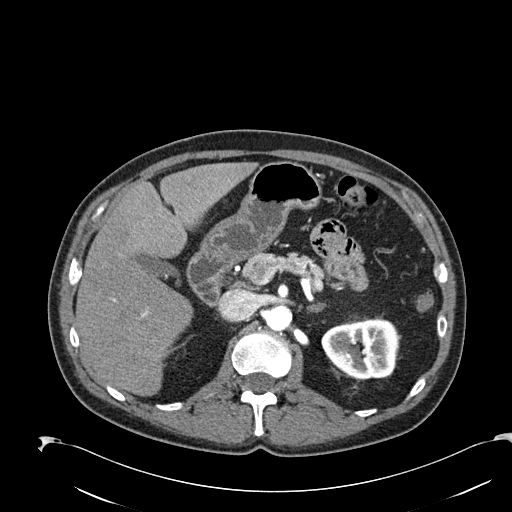
Axial slice 146 of 274 of a contrast-enhanced abdominal CT in the arterial phase (slice 1 is the lowest), 120 kVp, kernel B30f; 2.00 mm slice thickness and 0.809 mm pixels.
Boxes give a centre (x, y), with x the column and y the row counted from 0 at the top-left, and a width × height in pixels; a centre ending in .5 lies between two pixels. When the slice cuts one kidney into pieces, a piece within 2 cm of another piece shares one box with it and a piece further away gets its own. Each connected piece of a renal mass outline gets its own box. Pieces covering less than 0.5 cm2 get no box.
Box centre (360, 349), 79 × 61 pixels: left kidney (outlined area 3,806 px, about 24.9 cm2). This slice carries no renal mass outline.